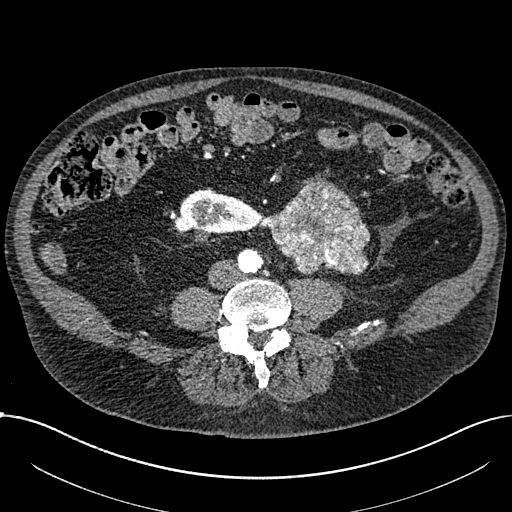
Axial slice 237 of 1059 of a contrast-enhanced abdominal CT in the arterial phase (slice 1 is the lowest), 100 kVp, kernel I30f; 1.00 mm slice thickness and 0.811 mm pixels.
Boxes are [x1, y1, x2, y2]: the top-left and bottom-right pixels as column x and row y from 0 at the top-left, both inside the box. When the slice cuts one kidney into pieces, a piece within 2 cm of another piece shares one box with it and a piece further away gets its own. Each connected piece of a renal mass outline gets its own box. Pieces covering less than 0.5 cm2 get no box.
Boxed on this slice (one kidney box and one renal mass box), listed by box centre from the image's left to its right: (1) Right part of the midline-crossing kidney at [174, 189, 260, 234] (outlined area 2,882 px, about 18.9 cm2). (2) Box [261, 174, 370, 274]: renal mass (outlined area 7,014 px, about 46.1 cm2).